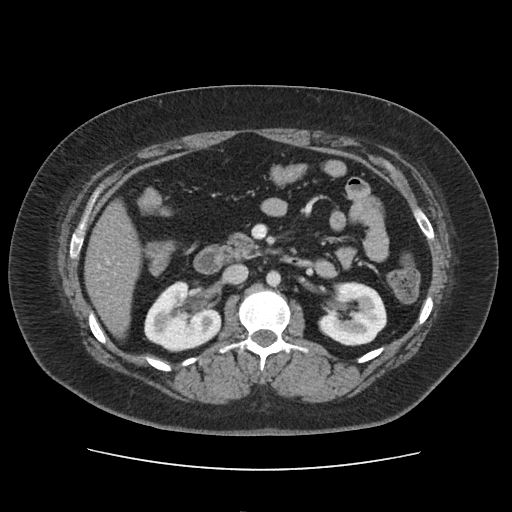
Arterial-phase contrast-enhanced abdominal CT, axial slice 69 of 103 (counted from the lowest slice); tube voltage 120 kVp, convolution kernel FC19; slices 5.00 mm thick, 0.873 mm per pixel.
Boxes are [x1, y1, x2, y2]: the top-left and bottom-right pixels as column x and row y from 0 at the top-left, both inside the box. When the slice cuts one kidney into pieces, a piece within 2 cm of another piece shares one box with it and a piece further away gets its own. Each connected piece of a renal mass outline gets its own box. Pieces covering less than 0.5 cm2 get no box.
Two boxes on this slice (two kidney boxes), listed by box centre from the image's left to its right. (1) Right kidney at [144, 281, 221, 352] (outlined area 3,932 px, about 30.0 cm2). (2) Left kidney, box [317, 281, 387, 346] (outlined area 3,380 px, about 25.8 cm2). No renal mass is outlined on this slice.